Contrast-enhanced abdominal CT, axial slice 71 of 101 (counted from the lowest slice); tube voltage 100 kVp, convolution kernel I40f; slices 5.00 mm thick, 0.684 mm per pixel.
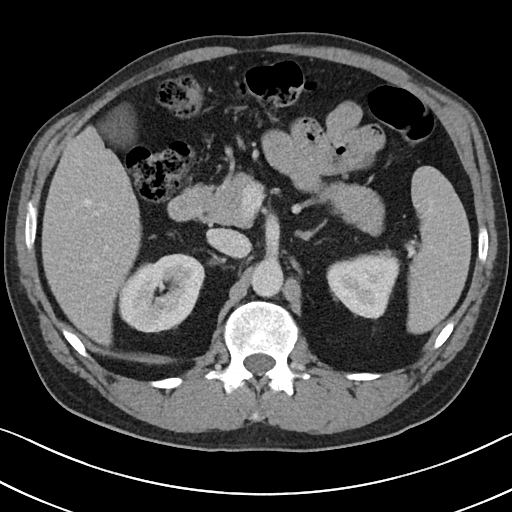
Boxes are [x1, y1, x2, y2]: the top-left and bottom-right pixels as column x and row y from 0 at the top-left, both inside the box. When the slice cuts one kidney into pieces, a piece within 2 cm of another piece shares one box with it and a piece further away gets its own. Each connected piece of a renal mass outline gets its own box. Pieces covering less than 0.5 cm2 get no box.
Three boxes on this slice (two kidney boxes and one renal mass box), listed by box centre from the image's left to its right. (1) Box [135, 313, 157, 332]: right renal mass (outlined area 392 px, about 1.8 cm2). (2) Right kidney at [117, 253, 205, 332] (outlined area 4,746 px, about 22.2 cm2). (3) Left kidney, box [326, 249, 400, 319] (outlined area 3,646 px, about 17.0 cm2).